Axial slice 285 of 665 of a contrast-enhanced abdominal CT in the arterial phase (slice 1 is the lowest), 100 kVp, kernel I26f; 1.00 mm slice thickness and 0.828 mm pixels.
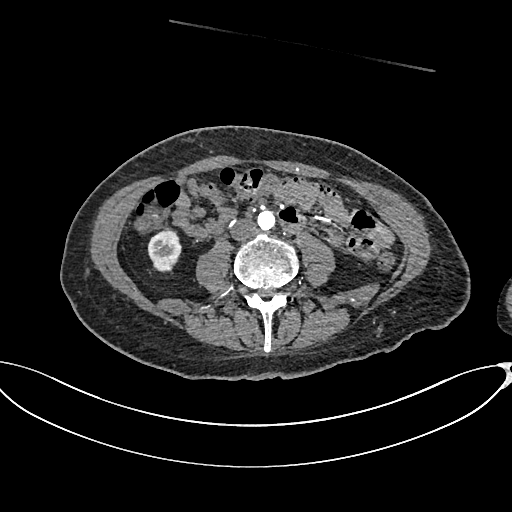
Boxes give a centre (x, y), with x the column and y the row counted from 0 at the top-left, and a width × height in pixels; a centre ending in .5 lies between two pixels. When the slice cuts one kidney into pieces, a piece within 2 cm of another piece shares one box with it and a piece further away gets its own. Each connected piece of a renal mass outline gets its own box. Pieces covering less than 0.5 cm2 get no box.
Box centre (164, 251.5), 35 × 44 pixels: right kidney (outlined area 1,138 px, about 7.8 cm2). This slice carries no renal mass outline.